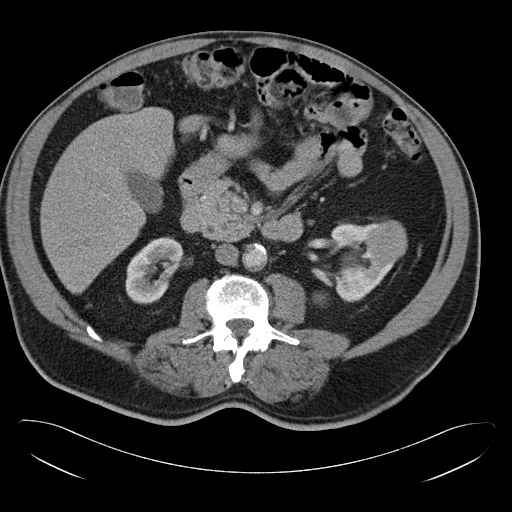
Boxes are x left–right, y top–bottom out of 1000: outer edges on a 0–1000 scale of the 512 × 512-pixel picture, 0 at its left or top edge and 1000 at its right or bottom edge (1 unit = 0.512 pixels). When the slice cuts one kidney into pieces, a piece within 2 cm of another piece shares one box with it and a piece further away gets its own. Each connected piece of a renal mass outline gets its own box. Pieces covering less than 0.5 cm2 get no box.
Slice 16/34 of a contrast-enhanced abdominal CT in the arterial phase, counting up from the lowest; pixel size 0.830 mm, slice thickness 5.00 mm. Boxed on this slice (two kidney boxes and one renal mass box), listed by box centre from the image's left to its right: (1) Right kidney, box x 244–359, y 463–596 out of 1000 (outlined area 2,620 px, about 18.1 cm2). (2) Left kidney at x 611–773, y 434–598 out of 1000 (outlined area 3,004 px, about 20.7 cm2). (3) Left renal mass, box x 713–797, y 430–523 out of 1000 (outlined area 1,517 px, about 10.5 cm2).
Scan settings: 120 kVp, B30f reconstruction kernel.